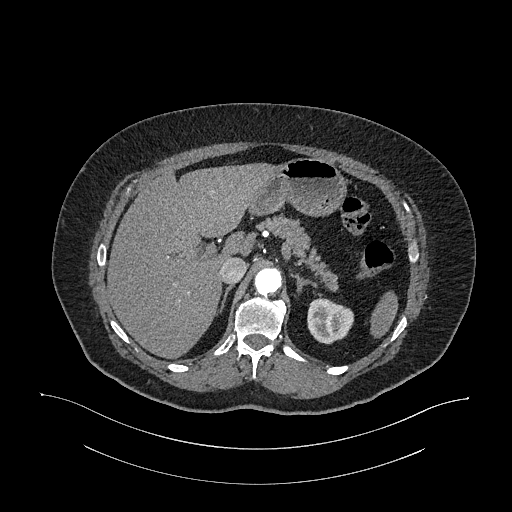
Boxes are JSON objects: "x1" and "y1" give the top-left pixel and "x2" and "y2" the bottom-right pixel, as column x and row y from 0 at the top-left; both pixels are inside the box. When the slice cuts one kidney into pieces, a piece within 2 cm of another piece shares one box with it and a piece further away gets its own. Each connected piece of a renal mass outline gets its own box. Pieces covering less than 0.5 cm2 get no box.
This is axial slice 778 of 987 (slice 1 is the lowest) of an arterial-phase abdominal CT with contrast; each pixel is 0.977 mm and the slice is 1.00 mm thick. Left kidney, box {"x1": 307, "y1": 297, "x2": 353, "y2": 344} (outlined area 1,671 px, about 15.9 cm2). This slice carries no renal mass outline.
Scan settings: 120 kVp, I26f reconstruction kernel.